Axial slice 52 of 86 of a contrast-enhanced abdominal CT (slice 1 is the lowest), 140 kVp, kernel I44f; 3.00 mm slice thickness and 0.977 mm pixels.
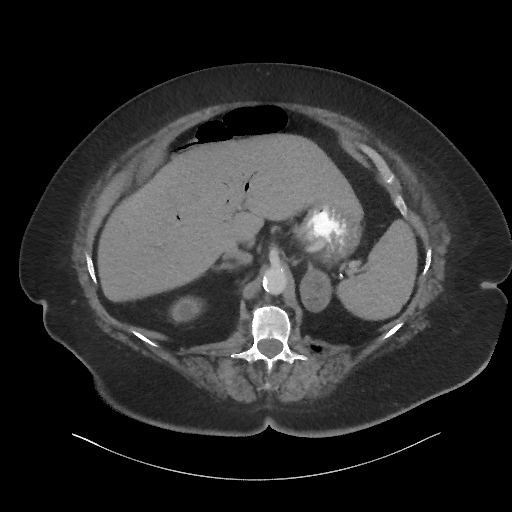
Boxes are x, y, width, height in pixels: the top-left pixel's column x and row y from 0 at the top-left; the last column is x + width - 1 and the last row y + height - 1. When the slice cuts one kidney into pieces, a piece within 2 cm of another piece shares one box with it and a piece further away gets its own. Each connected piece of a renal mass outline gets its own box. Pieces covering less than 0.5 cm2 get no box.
Right kidney, box x 170, y 296, width 33, height 27 (outlined area 621 px, about 5.9 cm2). This slice carries no renal mass outline.